Abdominal CT with intravenous contrast, arterial phase, axial plane, 120 kVp, kernel I30f. Slice 213/541 from the bottom of the scan; thickness 1.00 mm; pixel size 0.834 mm.
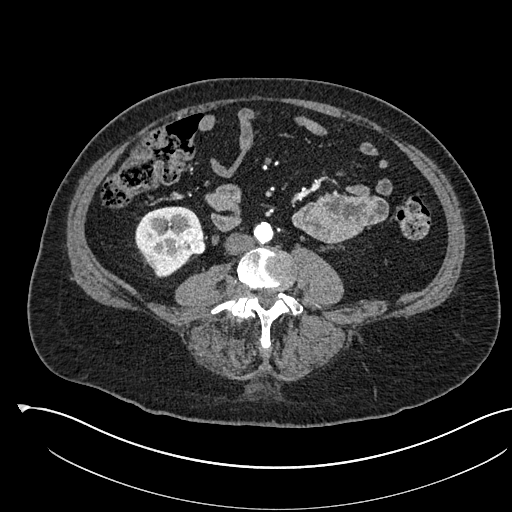
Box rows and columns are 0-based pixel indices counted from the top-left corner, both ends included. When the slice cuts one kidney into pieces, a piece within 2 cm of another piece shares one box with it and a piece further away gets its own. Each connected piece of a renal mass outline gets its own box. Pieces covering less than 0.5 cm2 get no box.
Boxed on this slice (one kidney box and one renal mass box), listed by box centre from the image's left to its right: (1) Box rows 206–277, columns 135–202: right kidney (outlined area 3,042 px, about 21.2 cm2). (2) Box rows 228–255, columns 175–205: right renal mass (outlined area 666 px, about 4.6 cm2).